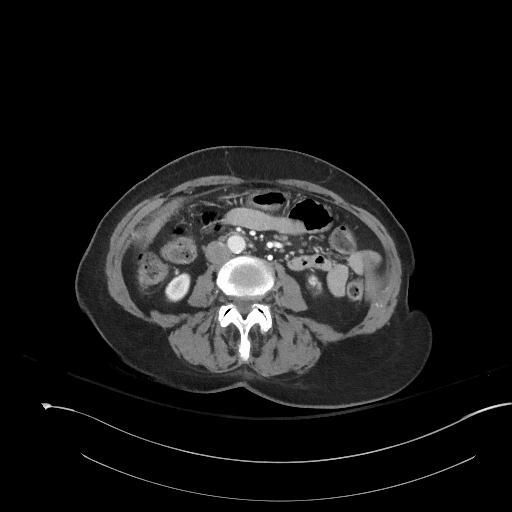
Contrast-enhanced abdominal CT, axial slice 83 of 153 (counted from the lowest slice); tube voltage 120 kVp, convolution kernel I41f; slices 3.00 mm thick, 0.893 mm per pixel.
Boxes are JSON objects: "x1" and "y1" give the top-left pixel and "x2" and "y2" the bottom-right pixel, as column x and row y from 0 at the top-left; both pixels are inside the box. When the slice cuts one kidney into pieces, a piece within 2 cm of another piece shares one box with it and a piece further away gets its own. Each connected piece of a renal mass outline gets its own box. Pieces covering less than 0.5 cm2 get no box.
Two kidney boxes on this slice; by box centre, from the image's left to its right: (1) Right kidney at {"x1": 164, "y1": 272, "x2": 190, "y2": 302} (outlined area 582 px, about 4.6 cm2). (2) Left kidney, box {"x1": 307, "y1": 272, "x2": 322, "y2": 295} (outlined area 258 px, about 2.1 cm2). No renal mass is outlined on this slice.